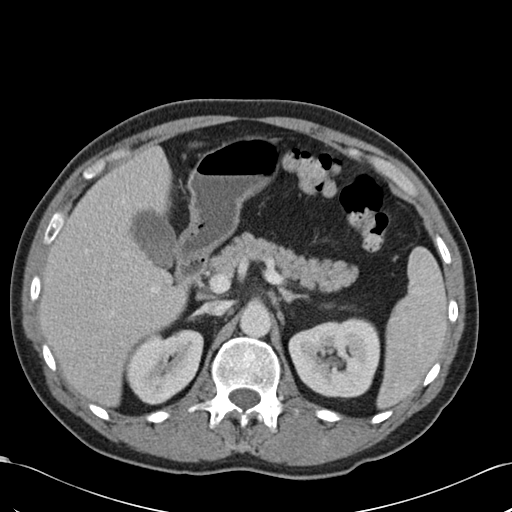
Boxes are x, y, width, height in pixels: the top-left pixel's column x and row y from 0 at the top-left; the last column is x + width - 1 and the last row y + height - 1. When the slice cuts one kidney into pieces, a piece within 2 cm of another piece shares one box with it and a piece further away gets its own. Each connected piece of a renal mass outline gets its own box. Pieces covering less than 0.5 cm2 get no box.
Slice 72/99 of a contrast-enhanced abdominal CT in the arterial phase, counting up from the lowest; pixel size 0.693 mm, slice thickness 5.00 mm. Two kidney boxes on this slice; by box centre, from the image's left to its right: (1) Right kidney, box x 125, y 329, width 79, height 76 (outlined area 4,271 px, about 20.5 cm2). (2) Box x 288, y 317, width 93, height 82: left kidney (outlined area 5,863 px, about 28.2 cm2). No renal mass outline on this slice.
Scan settings: 120 kVp, B30f reconstruction kernel.